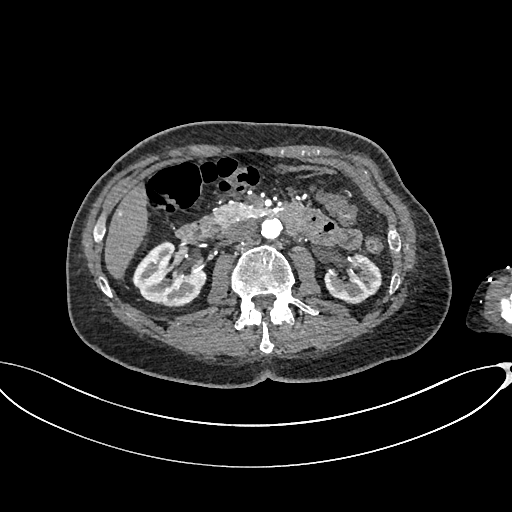
One axial slice (385 of 665, counting up from the lowest) of an arterial-phase abdominal CT acquired with 100 kVp, kernel I26f; each pixel is 0.828 mm and the slice is 1.00 mm thick.
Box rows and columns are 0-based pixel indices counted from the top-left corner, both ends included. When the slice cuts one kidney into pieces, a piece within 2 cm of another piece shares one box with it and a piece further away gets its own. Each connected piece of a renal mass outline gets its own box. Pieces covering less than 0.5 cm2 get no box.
Two kidney boxes on this slice; by box centre, from the image's left to its right: (1) Right kidney at rows 241–306, columns 132–206 (outlined area 3,367 px, about 23.1 cm2). (2) Left kidney at rows 254–304, columns 324–382 (outlined area 2,057 px, about 14.1 cm2). No renal mass outline on this slice.